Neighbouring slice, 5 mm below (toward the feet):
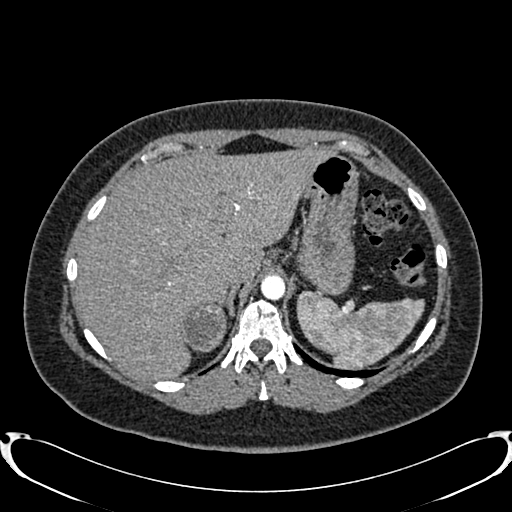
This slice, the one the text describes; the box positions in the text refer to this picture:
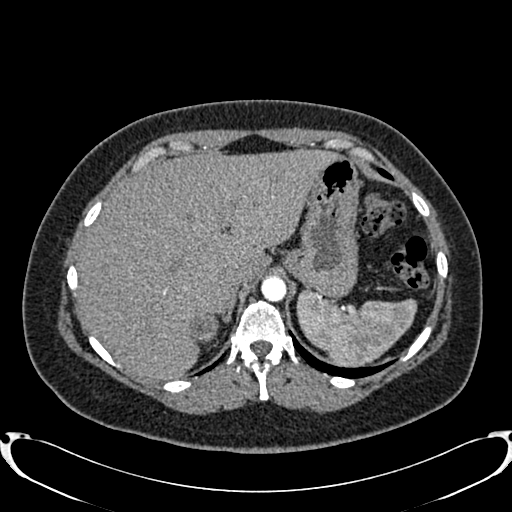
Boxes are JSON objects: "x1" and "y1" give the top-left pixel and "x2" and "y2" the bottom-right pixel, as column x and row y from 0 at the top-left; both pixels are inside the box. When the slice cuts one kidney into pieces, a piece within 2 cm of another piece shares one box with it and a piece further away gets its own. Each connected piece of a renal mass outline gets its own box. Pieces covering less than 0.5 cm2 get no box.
Arterial-phase contrast-enhanced abdominal CT, axial slice 640 of 719 (counted from the lowest slice); 1.00 mm thick, 0.766 mm per pixel. Right renal mass, box {"x1": 191, "y1": 312, "x2": 218, "y2": 343} (outlined area 669 px, about 3.9 cm2); no kidney is outlined on this slice, but the same outlined renal mass comes within 1 cm of the kidney on another slice. This slice lies near the end of the right renal mass toward the head; the slice 5 mm below it is shown too, and the boxes mark positions on this slice only.
Acquired at 120 kVp and reconstructed with the B20f kernel.